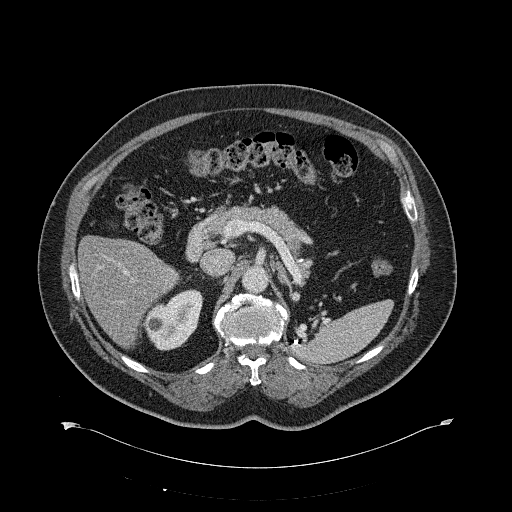
Contrast-enhanced abdominal CT, axial slice 411 of 734 (counted from the lowest slice); tube voltage 120 kVp, convolution kernel B31f; slices 2.00 mm thick, 0.971 mm per pixel.
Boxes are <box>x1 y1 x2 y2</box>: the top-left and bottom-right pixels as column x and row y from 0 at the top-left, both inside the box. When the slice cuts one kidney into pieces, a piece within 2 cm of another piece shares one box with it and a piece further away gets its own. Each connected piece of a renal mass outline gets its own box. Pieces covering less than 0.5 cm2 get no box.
At <box>142 289 203 350</box>: right kidney (outlined area 2,545 px, about 24.0 cm2). No renal mass is outlined on this slice.